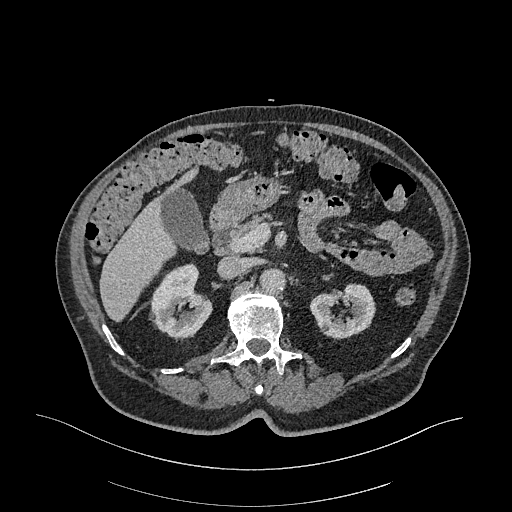
One axial slice (205 of 470, counting up from the lowest) of an arterial-phase abdominal CT acquired with 120 kVp, kernel I26f; each pixel is 0.938 mm and the slice is 1.00 mm thick.
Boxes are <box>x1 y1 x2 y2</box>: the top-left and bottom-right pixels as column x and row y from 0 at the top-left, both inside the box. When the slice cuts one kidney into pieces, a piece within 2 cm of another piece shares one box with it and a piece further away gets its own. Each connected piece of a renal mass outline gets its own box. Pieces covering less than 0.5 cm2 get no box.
Boxed on this slice (two kidney boxes), listed by box centre from the image's left to its right: (1) Right kidney: <box>150 263 212 337</box> (outlined area 3,162 px, about 27.8 cm2). (2) At <box>309 282 375 338</box>: left kidney (outlined area 2,584 px, about 22.7 cm2). This slice carries no renal mass outline.